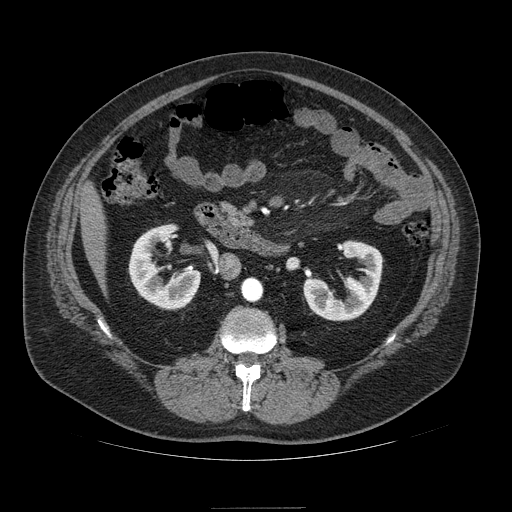
Abdominal CT with intravenous contrast, arterial phase, axial plane, 120 kVp, kernel STANDARD. Slice 47/121 from the bottom of the scan; thickness 2.50 mm; pixel size 0.861 mm.
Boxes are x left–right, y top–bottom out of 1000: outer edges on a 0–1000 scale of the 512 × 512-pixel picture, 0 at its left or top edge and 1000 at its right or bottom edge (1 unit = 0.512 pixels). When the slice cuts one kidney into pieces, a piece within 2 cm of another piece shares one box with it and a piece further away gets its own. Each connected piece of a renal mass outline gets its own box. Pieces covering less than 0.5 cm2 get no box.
Two boxes on this slice (two kidney boxes), listed by box centre from the image's left to its right. (1) Right kidney at x 250–393, y 438–605 out of 1000 (outlined area 3,529 px, about 26.2 cm2). (2) Box x 592–748, y 471–627 out of 1000: left kidney (outlined area 3,435 px, about 25.5 cm2). No renal mass outline on this slice.